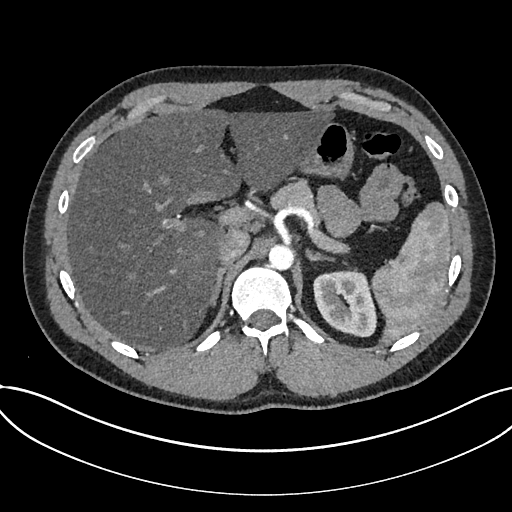
One axial slice (544 of 735, counting up from the lowest) of an arterial-phase abdominal CT acquired with 120 kVp, kernel I30f; each pixel is 0.789 mm and the slice is 1.00 mm thick.
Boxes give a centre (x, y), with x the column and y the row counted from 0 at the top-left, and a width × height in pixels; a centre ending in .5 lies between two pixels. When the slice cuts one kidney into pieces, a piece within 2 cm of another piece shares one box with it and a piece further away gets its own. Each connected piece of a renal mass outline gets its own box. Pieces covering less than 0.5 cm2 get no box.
Kidney in a box with centre (344.5, 302.5), 64 × 68 pixels (outlined area 3,345 px, about 20.8 cm2). No renal mass is outlined on this slice.